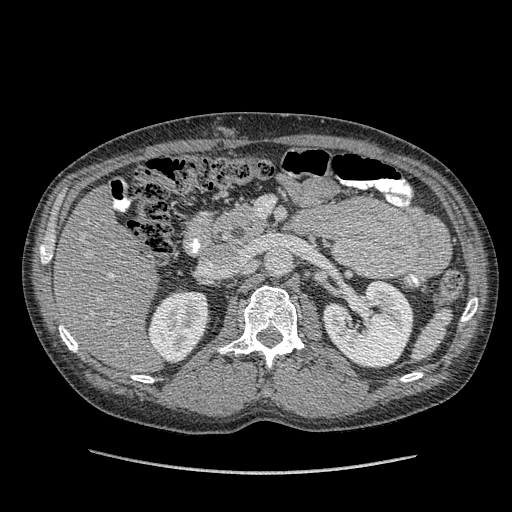
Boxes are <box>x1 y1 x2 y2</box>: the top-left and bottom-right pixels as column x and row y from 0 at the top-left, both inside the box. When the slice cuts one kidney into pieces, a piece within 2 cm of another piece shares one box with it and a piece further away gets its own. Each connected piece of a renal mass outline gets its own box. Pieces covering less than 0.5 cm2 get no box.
Arterial-phase contrast-enhanced abdominal CT, axial slice 226 of 349 (counted from the lowest slice); 1.25 mm thick, 0.742 mm per pixel. Two kidney boxes on this slice; by box centre, from the image's left to its right: (1) Right kidney: <box>146 289 209 363</box> (outlined area 3,405 px, about 18.8 cm2). (2) Left kidney at <box>322 279 413 368</box> (outlined area 5,912 px, about 32.6 cm2). This slice carries no renal mass outline.
Scan settings: 120 kVp, STANDARD reconstruction kernel.